One axial slice (69 of 131, counting up from the lowest) of an arterial-phase abdominal CT acquired with 120 kVp, kernel B41f; each pixel is 0.760 mm and the slice is 5.00 mm thick.
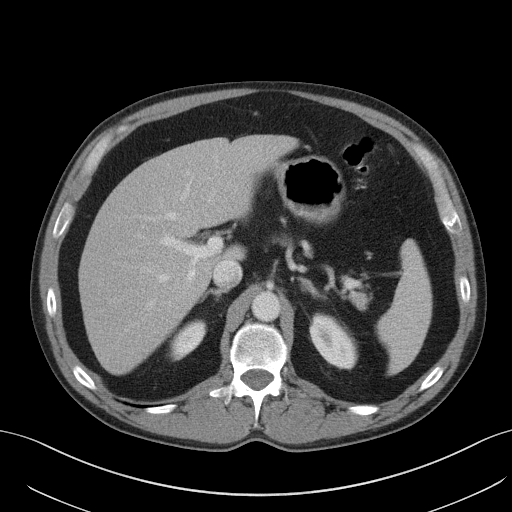
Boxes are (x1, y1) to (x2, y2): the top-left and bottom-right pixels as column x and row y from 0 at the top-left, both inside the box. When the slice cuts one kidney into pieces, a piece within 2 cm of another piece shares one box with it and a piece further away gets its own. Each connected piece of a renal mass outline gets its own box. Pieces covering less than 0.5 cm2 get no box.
Boxed on this slice (two kidney boxes), listed by box centre from the image's left to its right: (1) Right kidney from (171, 320) to (205, 359) (outlined area 917 px, about 5.3 cm2). (2) Box (309, 314) to (356, 368): left kidney (outlined area 1,777 px, about 10.3 cm2). This slice carries no renal mass outline.